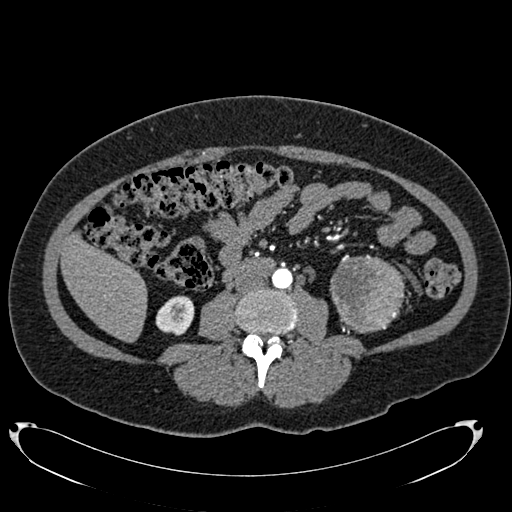
One axial slice (335 of 634, counting up from the lowest) of an arterial-phase abdominal CT acquired with 120 kVp, kernel B20f; each pixel is 0.838 mm and the slice is 1.00 mm thick.
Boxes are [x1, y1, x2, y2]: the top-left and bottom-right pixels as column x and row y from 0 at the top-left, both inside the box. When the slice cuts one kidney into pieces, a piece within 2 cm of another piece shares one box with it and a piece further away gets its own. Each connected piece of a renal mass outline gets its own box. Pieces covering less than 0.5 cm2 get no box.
Boxed on this slice (one kidney box and one renal mass box), listed by box centre from the image's left to its right: (1) Box [155, 295, 194, 335]: right kidney (outlined area 1,191 px, about 8.4 cm2). (2) Left renal mass at [329, 254, 404, 333] (outlined area 4,608 px, about 32.4 cm2); on this slice it lies more than 1 cm from any kidney outline, but the same outlined renal mass comes within 1 cm of the kidney on another slice.